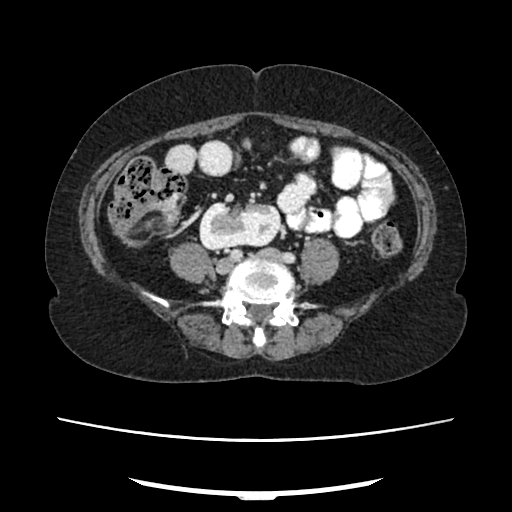
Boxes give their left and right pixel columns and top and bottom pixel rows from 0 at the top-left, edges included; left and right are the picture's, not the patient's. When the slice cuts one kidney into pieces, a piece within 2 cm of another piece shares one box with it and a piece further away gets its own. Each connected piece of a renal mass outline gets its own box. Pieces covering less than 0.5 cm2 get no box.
Slice 93/207 of a contrast-enhanced abdominal CT in the arterial phase, counting up from the lowest; pixel size 0.741 mm, slice thickness 2.00 mm. Right kidney in the box with left 199, top 200, right 280, bottom 250 (outlined area 3,319 px, about 18.2 cm2). This slice carries no renal mass outline.
Scan settings: 120 kVp, FC18 reconstruction kernel.